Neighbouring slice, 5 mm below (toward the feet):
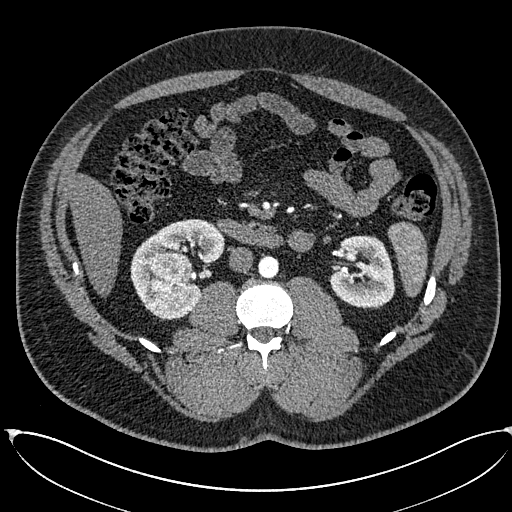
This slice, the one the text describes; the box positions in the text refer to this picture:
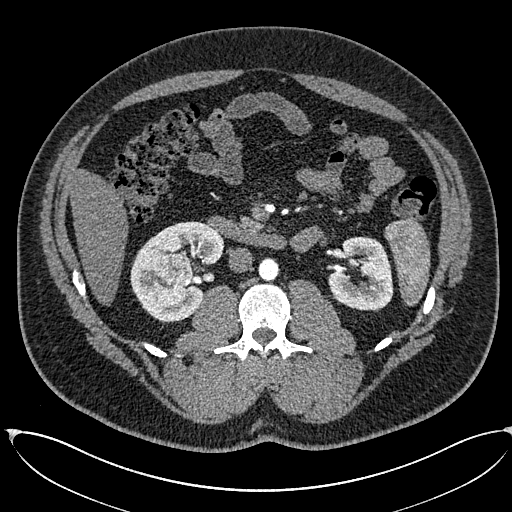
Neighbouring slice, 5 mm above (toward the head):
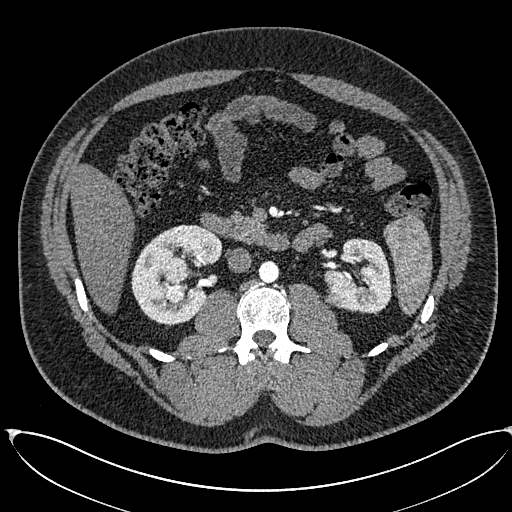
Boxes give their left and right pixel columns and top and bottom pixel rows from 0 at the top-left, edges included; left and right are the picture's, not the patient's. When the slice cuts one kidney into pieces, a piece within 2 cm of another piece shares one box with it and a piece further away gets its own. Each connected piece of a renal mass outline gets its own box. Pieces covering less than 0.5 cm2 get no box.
Slice 327/673 of a contrast-enhanced abdominal CT in the arterial phase, counting up from the lowest; pixel size 0.855 mm, slice thickness 1.00 mm. Two kidney boxes and two renal mass boxes on this slice; by box centre, from the image's left to its right: (1) Right renal mass, the box with left 153, top 253, right 193, bottom 307 (outlined area 1,739 px, about 12.7 cm2). (2) Right kidney in the box with left 130, top 221, right 223, bottom 322 (outlined area 5,014 px, about 36.7 cm2). (3) Box with left 332, top 291, right 342, bottom 301: left renal mass (outlined area 84 px, about 0.6 cm2). (4) Box with left 327, top 236, right 393, bottom 310: left kidney (outlined area 3,594 px, about 26.3 cm2). This slice lies near the end of the left renal mass toward the feet; the slices 5 mm below and 5 mm above it are shown too, and the boxes mark positions on this slice only.
Scan settings: 120 kVp, I30f reconstruction kernel.